Abdominal CT with intravenous contrast, arterial phase, axial plane, 100 kVp, kernel I30f. Slice 403/1059 from the bottom of the scan; thickness 1.00 mm; pixel size 0.811 mm.
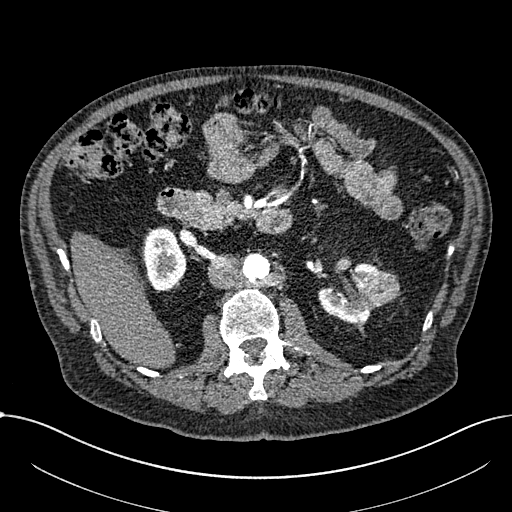
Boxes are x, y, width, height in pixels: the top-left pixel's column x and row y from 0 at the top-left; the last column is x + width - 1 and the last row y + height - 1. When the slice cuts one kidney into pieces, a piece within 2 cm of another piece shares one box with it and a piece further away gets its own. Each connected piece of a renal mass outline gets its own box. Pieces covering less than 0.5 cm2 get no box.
Two kidney boxes and one renal mass box on this slice; by box centre, from the image's left to its right: (1) Right part of the midline-crossing kidney, box x 144, y 227, width 43, height 64 (outlined area 2,108 px, about 13.8 cm2). (2) Left part of the midline-crossing kidney, box x 318, y 263, width 63, height 62 (outlined area 2,170 px, about 14.3 cm2). (3) Box x 363, y 271, width 37, height 37: renal mass (outlined area 993 px, about 6.5 cm2).